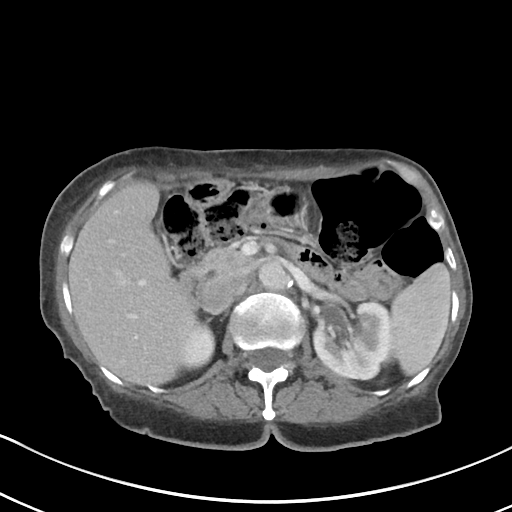
Axial slice 62 of 80 of a contrast-enhanced abdominal CT in the arterial phase (slice 1 is the lowest), 100 kVp, kernel I40f; 5.00 mm slice thickness and 0.648 mm pixels.
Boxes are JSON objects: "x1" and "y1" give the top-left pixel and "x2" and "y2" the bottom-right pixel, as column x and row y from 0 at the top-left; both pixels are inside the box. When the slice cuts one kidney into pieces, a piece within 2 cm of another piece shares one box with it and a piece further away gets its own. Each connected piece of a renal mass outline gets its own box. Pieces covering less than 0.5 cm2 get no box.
Two kidney boxes on this slice; by box centre, from the image's left to its right: (1) Right kidney, box {"x1": 184, "y1": 323, "x2": 214, "y2": 368} (outlined area 1,019 px, about 4.3 cm2). (2) Left kidney at {"x1": 314, "y1": 303, "x2": 388, "y2": 379} (outlined area 4,705 px, about 19.8 cm2). This slice carries no renal mass outline.